Axial slice 339 of 548 of a contrast-enhanced abdominal CT in the arterial phase (slice 1 is the lowest), 120 kVp, kernel I26f; 1.00 mm slice thickness and 0.852 mm pixels.
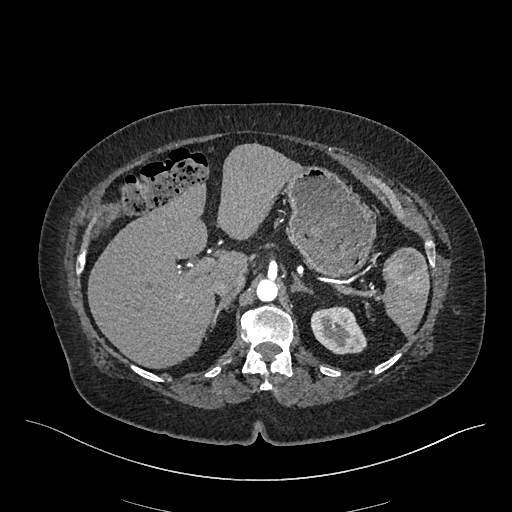
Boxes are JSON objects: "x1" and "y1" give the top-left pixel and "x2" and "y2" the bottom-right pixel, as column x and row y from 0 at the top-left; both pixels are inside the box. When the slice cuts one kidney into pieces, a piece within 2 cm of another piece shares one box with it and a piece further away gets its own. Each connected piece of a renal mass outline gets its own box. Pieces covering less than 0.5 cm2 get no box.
Box {"x1": 310, "y1": 306, "x2": 366, "y2": 354}: left kidney (outlined area 2,051 px, about 14.9 cm2). No renal mass is outlined on this slice.